One axial slice (93 of 326, counting up from the lowest) of an arterial-phase abdominal CT acquired with 120 kVp, kernel B31f; each pixel is 0.963 mm and the slice is 2.00 mm thick.
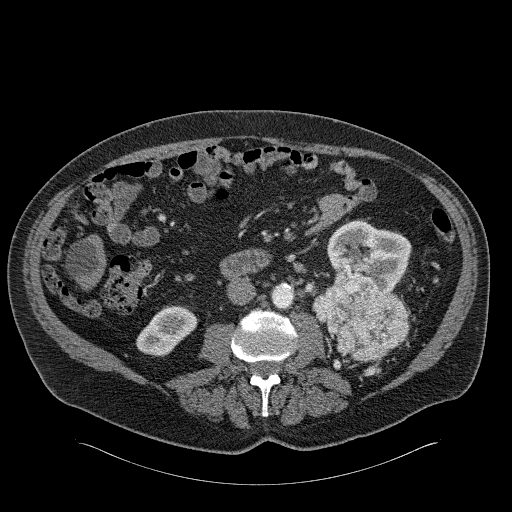
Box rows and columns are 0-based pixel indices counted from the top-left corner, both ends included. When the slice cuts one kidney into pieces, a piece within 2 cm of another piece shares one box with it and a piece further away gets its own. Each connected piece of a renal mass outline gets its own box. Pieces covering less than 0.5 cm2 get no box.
Two kidney boxes and one renal mass box on this slice; by box centre, from the image's left to its right: (1) Right kidney, box rows 306–355, columns 136–197 (outlined area 2,037 px, about 18.9 cm2). (2) Left renal mass at rows 276–365, columns 311–408 (outlined area 5,798 px, about 53.8 cm2). (3) Box rows 220–292, columns 318–411: left kidney (outlined area 4,429 px, about 41.1 cm2).